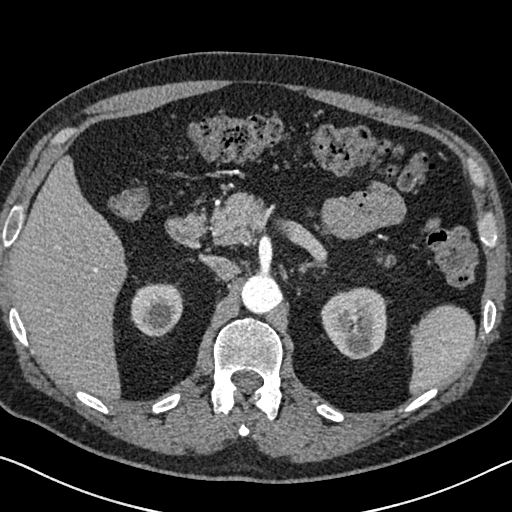
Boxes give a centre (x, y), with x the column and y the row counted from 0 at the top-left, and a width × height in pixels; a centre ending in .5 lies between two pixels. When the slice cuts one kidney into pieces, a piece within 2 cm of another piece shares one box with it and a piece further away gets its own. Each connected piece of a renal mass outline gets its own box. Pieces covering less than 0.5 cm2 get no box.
Slice 465/626 of a contrast-enhanced abdominal CT in the arterial phase, counting up from the lowest; pixel size 0.703 mm, slice thickness 1.00 mm. Boxed on this slice (two kidney boxes), listed by box centre from the image's left to its right: (1) Box centre (156.5, 310), 54 × 55 pixels: right kidney (outlined area 2,287 px, about 11.3 cm2). (2) Box centre (353.5, 323), 68 × 73 pixels: left kidney (outlined area 3,743 px, about 18.5 cm2). No renal mass outline on this slice.
Scan settings: 120 kVp, I30f reconstruction kernel.